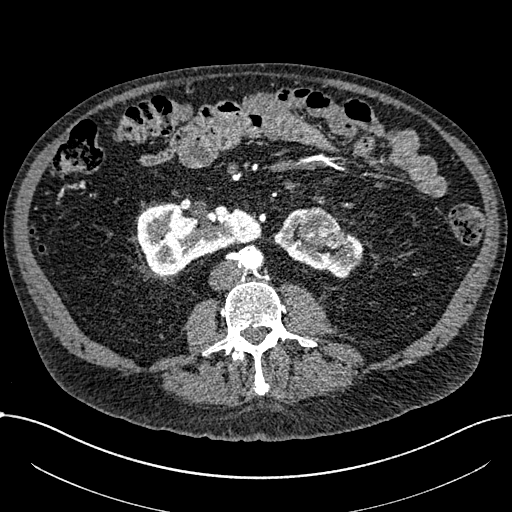
Abdominal CT with intravenous contrast, arterial phase, axial plane, 100 kVp, kernel I30f. Slice 320/1059 from the bottom of the scan; thickness 1.00 mm; pixel size 0.811 mm.
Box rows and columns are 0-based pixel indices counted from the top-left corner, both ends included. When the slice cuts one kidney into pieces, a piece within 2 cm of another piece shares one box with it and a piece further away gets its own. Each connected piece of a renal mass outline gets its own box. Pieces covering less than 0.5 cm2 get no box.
Three boxes on this slice (two kidney boxes and one renal mass box), listed by box centre from the image's left to its right. (1) Box rows 201–274, columns 137–261: right part of the midline-crossing kidney (outlined area 6,165 px, about 40.5 cm2). (2) Box rows 208–278, columns 275–363: left part of the midline-crossing kidney (outlined area 2,593 px, about 17.0 cm2). (3) Renal mass at rows 207–250, columns 297–344 (outlined area 1,464 px, about 9.6 cm2).